Axial slice 36 of 68 of a contrast-enhanced abdominal CT in the arterial phase (slice 1 is the lowest), 120 kVp, kernel B31f; 5.00 mm slice thickness and 0.961 mm pixels.
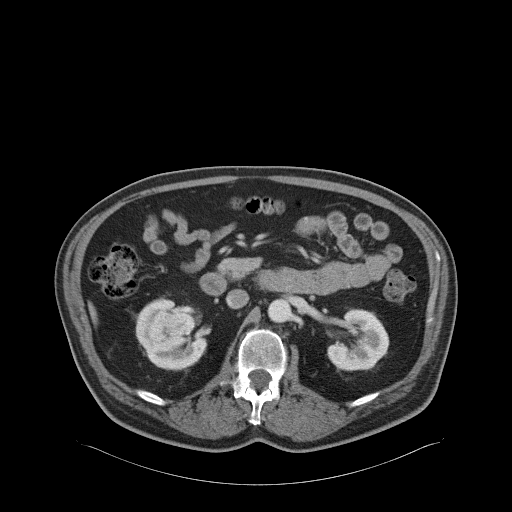
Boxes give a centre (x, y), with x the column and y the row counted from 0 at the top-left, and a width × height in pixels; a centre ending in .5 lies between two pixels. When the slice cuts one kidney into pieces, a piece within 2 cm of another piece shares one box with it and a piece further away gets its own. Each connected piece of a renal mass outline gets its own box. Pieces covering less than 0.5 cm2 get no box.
Three boxes on this slice (two kidney boxes and one renal mass box), listed by box centre from the image's left to its right. (1) Box centre (171, 333.5), 73 × 76 pixels: right kidney (outlined area 2,117 px, about 19.5 cm2). (2) Right renal mass, box centre (174, 328.5), 55 × 48 pixels (outlined area 1,833 px, about 16.9 cm2). (3) Box centre (358, 339.5), 63 × 64 pixels: left kidney (outlined area 2,840 px, about 26.2 cm2).